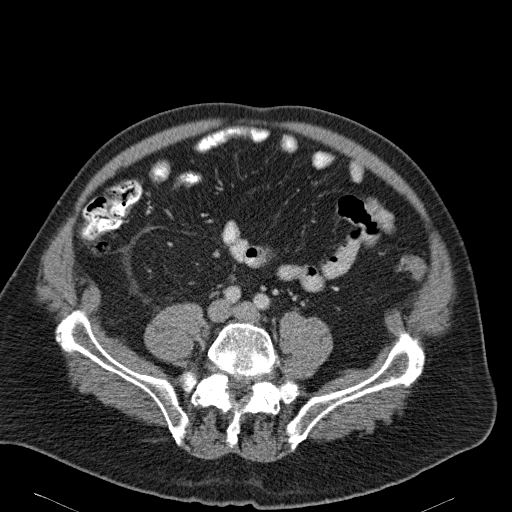
Abdominal CT with intravenous contrast, arterial phase, axial plane, 120 kVp, kernel B31f. Slice 57/114 from the bottom of the scan; thickness 5.00 mm; pixel size 0.781 mm.
No kidney and no renal mass is outlined on this slice; the outlines in this scan cover only the kidneys and the renal masses, so nothing is said about any other organ.